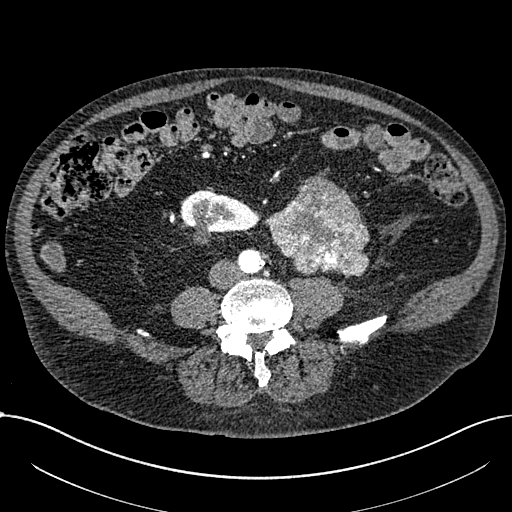
Axial slice 233 of 1059 of a contrast-enhanced abdominal CT in the arterial phase (slice 1 is the lowest), 100 kVp, kernel I30f; 1.00 mm slice thickness and 0.811 mm pixels.
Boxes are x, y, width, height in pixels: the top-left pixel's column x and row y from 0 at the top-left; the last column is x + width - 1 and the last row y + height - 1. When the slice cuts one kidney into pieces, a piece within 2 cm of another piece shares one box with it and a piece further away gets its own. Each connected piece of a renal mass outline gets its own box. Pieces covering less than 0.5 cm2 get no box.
One kidney box and one renal mass box on this slice; by box centre, from the image's left to its right: (1) Right part of the midline-crossing kidney at x 179, y 190, width 80, height 55 (outlined area 2,770 px, about 18.2 cm2). (2) Renal mass at x 265, y 174, width 105, height 103 (outlined area 7,195 px, about 47.3 cm2).